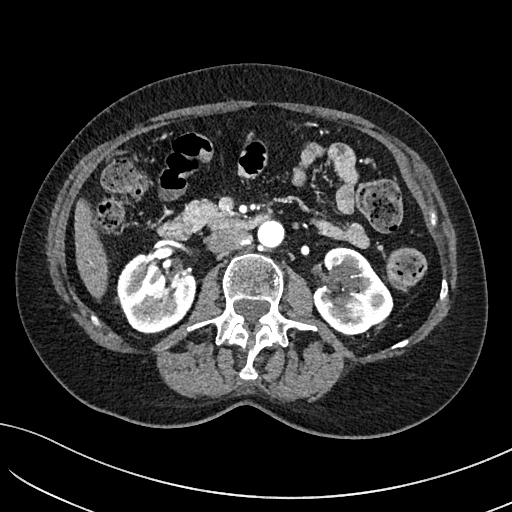
Abdominal CT with intravenous contrast, arterial phase, axial plane, 100 kVp, kernel I40f. Slice 58/234 from the bottom of the scan; thickness 2.00 mm; pixel size 0.699 mm.
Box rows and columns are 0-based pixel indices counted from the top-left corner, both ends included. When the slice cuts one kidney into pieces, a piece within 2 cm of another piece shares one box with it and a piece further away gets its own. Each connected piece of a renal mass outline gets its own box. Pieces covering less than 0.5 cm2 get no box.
Two kidney boxes and one renal mass box on this slice; by box centre, from the image's left to its right: (1) Right kidney, box rows 253–333, columns 117–196 (outlined area 4,710 px, about 23.0 cm2). (2) Box rows 247–335, columns 310–393: left kidney (outlined area 3,983 px, about 19.5 cm2). (3) Box rows 294–335, columns 342–381: left renal mass (outlined area 1,090 px, about 5.3 cm2).